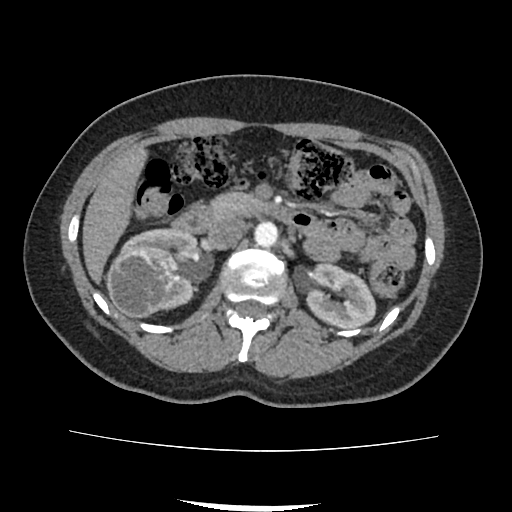
One axial slice (51 of 103, counting up from the lowest) of a contrast-enhanced abdominal CT acquired with 120 kVp, kernel FC18; each pixel is 0.714 mm and the slice is 3.00 mm thick.
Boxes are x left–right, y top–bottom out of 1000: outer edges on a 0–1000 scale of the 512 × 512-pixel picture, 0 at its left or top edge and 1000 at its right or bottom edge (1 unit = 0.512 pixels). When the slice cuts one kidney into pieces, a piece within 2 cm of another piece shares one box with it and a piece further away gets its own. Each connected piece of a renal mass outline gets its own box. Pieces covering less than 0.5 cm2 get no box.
Boxed on this slice (two kidney boxes and one renal mass box), listed by box centre from the image's left to its right: (1) Right renal mass at x 207–348, y 482–621 out of 1000 (outlined area 4,014 px, about 20.5 cm2). (2) Right kidney at x 234–389, y 447–607 out of 1000 (outlined area 2,559 px, about 13.0 cm2). (3) Left kidney at x 594–736, y 512–643 out of 1000 (outlined area 3,556 px, about 18.1 cm2).